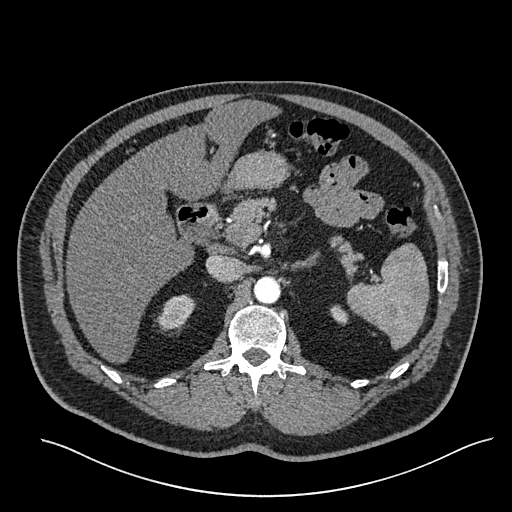
One axial slice (400 of 527, counting up from the lowest) of an arterial-phase abdominal CT acquired with 120 kVp, kernel I30f; each pixel is 0.859 mm and the slice is 1.00 mm thick.
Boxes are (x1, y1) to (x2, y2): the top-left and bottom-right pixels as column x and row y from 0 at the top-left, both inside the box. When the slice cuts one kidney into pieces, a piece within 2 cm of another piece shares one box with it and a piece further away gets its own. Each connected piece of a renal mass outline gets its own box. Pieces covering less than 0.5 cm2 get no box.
Boxed on this slice (two kidney boxes), listed by box centre from the image's left to its right: (1) Right kidney from (157, 294) to (195, 329) (outlined area 949 px, about 7.0 cm2). (2) Box (330, 304) to (348, 325): left kidney (outlined area 272 px, about 2.0 cm2). No renal mass is outlined on this slice.